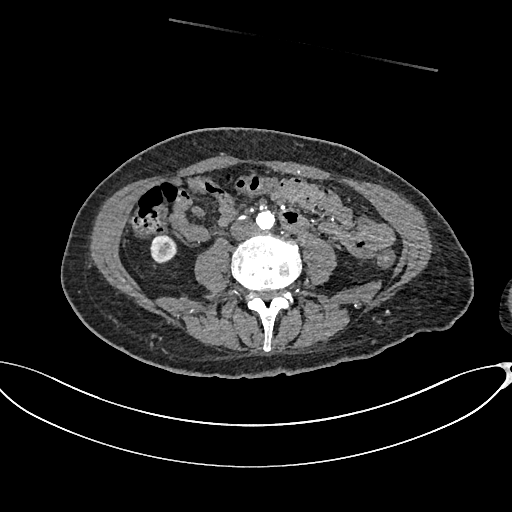
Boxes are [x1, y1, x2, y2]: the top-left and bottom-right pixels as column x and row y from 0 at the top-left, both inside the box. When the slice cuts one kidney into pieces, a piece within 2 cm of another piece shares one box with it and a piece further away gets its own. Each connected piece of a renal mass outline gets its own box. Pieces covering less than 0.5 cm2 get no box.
This is axial slice 277 of 665 (slice 1 is the lowest) of an arterial-phase abdominal CT with contrast; each pixel is 0.828 mm and the slice is 1.00 mm thick. Box [150, 233, 177, 263]: right kidney (outlined area 639 px, about 4.4 cm2). This slice carries no renal mass outline.
Scan settings: 100 kVp, I26f reconstruction kernel.